Arterial-phase contrast-enhanced abdominal CT, axial slice 415 of 735 (counted from the lowest slice); tube voltage 120 kVp, convolution kernel I30f; slices 1.00 mm thick, 0.789 mm per pixel.
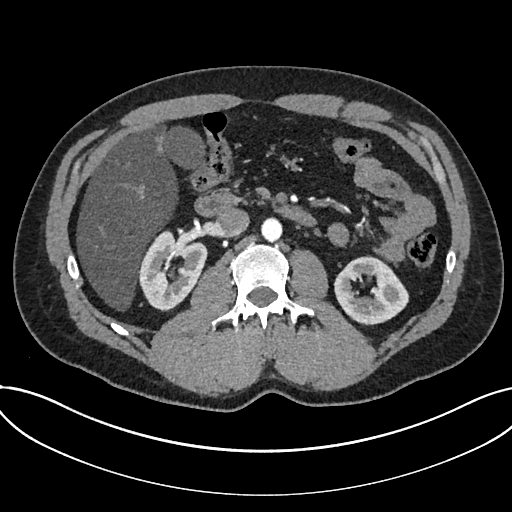
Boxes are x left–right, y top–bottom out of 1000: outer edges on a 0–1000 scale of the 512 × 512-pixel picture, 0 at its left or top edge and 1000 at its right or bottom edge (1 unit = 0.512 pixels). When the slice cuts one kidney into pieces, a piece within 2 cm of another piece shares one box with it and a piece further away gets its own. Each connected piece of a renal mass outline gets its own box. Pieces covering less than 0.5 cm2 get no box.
Boxed on this slice (two kidney boxes), listed by box centre from the image's left to its right: (1) Kidney at x 270–404, y 447–609 out of 1000 (outlined area 3,843 px, about 23.9 cm2). (2) Kidney, box x 652–801, y 498–635 out of 1000 (outlined area 3,542 px, about 22.1 cm2). This slice carries no renal mass outline.